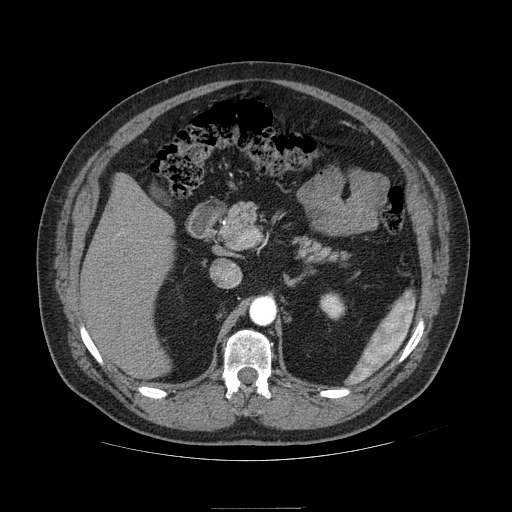
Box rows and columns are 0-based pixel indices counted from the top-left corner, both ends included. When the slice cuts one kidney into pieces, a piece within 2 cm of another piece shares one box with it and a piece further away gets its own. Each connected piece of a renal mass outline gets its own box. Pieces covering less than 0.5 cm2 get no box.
Slice 67/121 of a contrast-enhanced abdominal CT in the arterial phase, counting up from the lowest; pixel size 0.861 mm, slice thickness 2.50 mm. Left kidney at rows 293–318, columns 320–344 (outlined area 469 px, about 3.5 cm2). No renal mass is outlined on this slice.
Tube voltage 120 kVp; convolution kernel STANDARD.